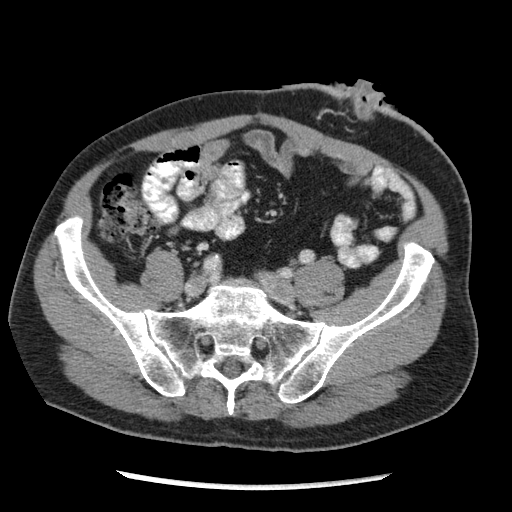
One axial slice (73 of 262, counting up from the lowest) of an arterial-phase abdominal CT acquired with 120 kVp, kernel STANDARD; each pixel is 0.703 mm and the slice is 2.50 mm thick.
No kidney and no renal mass is outlined on this slice; the outlines in this scan cover only the kidneys and the renal masses, so nothing is said about any other organ.